Axial slice 423 of 734 of a contrast-enhanced abdominal CT (slice 1 is the lowest), 120 kVp, kernel B31f; 2.00 mm slice thickness and 0.971 mm pixels.
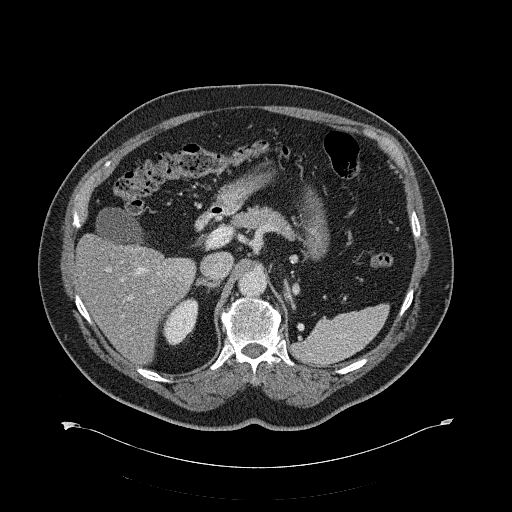
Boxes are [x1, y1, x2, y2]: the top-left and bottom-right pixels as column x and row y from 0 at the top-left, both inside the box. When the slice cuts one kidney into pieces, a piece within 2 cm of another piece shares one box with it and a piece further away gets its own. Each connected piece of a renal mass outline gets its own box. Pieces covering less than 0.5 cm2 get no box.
Box [162, 298, 198, 345]: right kidney (outlined area 1,180 px, about 11.1 cm2). No renal mass is outlined on this slice.